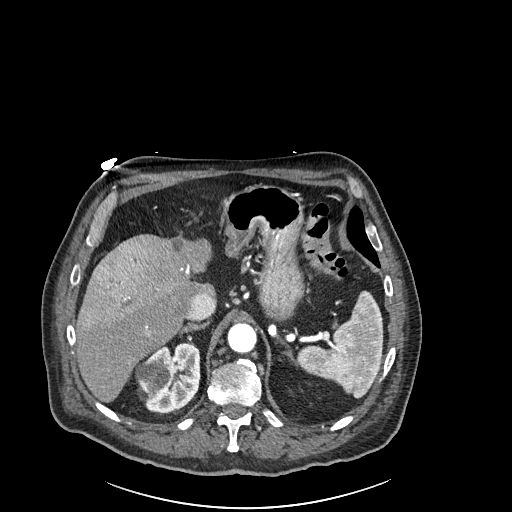
One axial slice (177 of 261, counting up from the lowest) of an arterial-phase abdominal CT acquired with 120 kVp, kernel I30f; each pixel is 0.939 mm and the slice is 2.00 mm thick.
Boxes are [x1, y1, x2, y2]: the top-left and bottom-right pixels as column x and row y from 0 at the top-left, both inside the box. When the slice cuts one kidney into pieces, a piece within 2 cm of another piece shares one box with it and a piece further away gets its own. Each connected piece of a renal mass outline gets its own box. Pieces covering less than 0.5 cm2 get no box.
Box [135, 342, 200, 413]: right kidney (outlined area 3,498 px, about 30.9 cm2). No renal mass is outlined on this slice.